Abdominal CT with intravenous contrast, axial plane, 120 kVp, kernel B31f. Slice 65/107 from the bottom of the scan; thickness 5.00 mm; pixel size 0.730 mm.
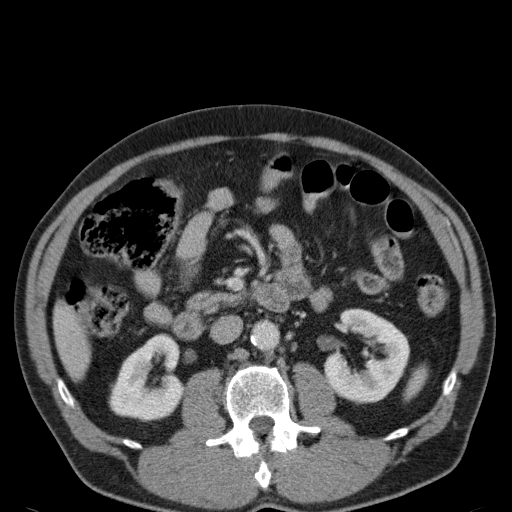
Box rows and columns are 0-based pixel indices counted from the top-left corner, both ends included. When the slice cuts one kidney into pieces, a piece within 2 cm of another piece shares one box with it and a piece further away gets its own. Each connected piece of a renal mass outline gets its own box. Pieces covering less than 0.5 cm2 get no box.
Two kidney boxes on this slice; by box centre, from the image's left to its right: (1) Right kidney, box rows 334–421, columns 108–182 (outlined area 4,505 px, about 24.0 cm2). (2) Left kidney at rows 309–404, columns 323–410 (outlined area 5,406 px, about 28.8 cm2). No renal mass is outlined on this slice.